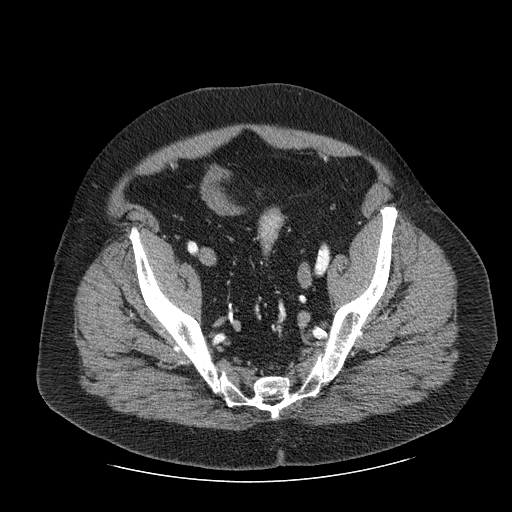
Axial slice 54 of 206 of a contrast-enhanced abdominal CT (slice 1 is the lowest), 120 kVp, kernel STANDARD; 2.50 mm slice thickness and 0.879 mm pixels.
Neither a kidney nor a renal mass is outlined here. Only kidneys and renal masses are outlined anywhere in this scan; other structures are never outlined.